Contrast-enhanced abdominal CT, axial slice 71 of 98 (counted from the lowest slice); tube voltage 130 kVp, convolution kernel B30s; slices 5.00 mm thick, 0.840 mm per pixel.
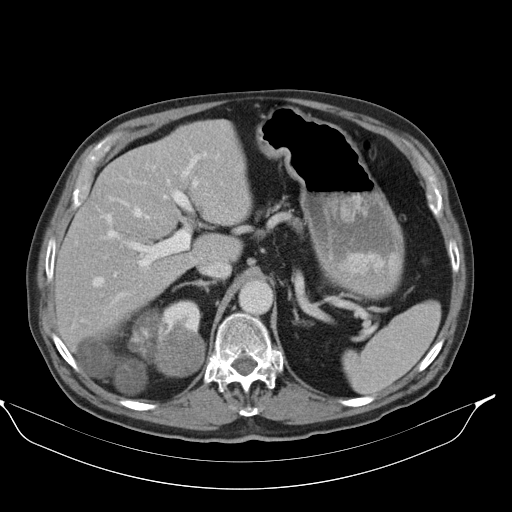
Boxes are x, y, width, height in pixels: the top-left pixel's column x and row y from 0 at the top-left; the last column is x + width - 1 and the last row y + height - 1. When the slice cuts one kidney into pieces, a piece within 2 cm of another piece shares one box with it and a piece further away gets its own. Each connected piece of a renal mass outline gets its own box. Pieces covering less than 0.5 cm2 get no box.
Boxed on this slice (one kidney box and one renal mass box), listed by box centre from the image's left to its right: (1) Box x 74, y 308, width 133, height 88: right renal mass (outlined area 6,014 px, about 42.4 cm2). (2) Right kidney, box x 160, y 300, width 42, height 34 (outlined area 977 px, about 6.9 cm2).